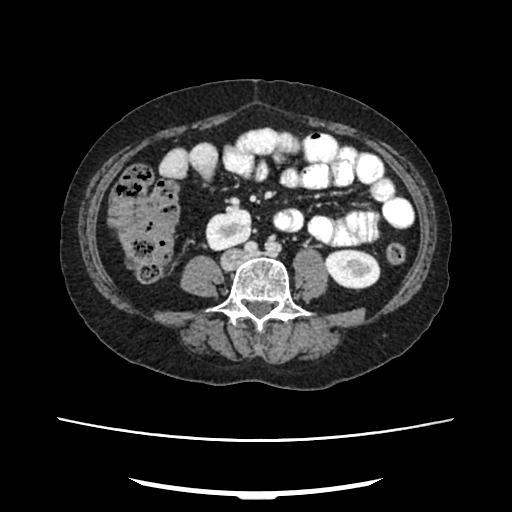
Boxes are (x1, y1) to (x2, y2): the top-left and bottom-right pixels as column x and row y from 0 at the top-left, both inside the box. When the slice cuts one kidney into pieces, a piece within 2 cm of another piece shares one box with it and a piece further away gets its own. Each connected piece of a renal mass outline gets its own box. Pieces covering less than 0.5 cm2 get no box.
This is axial slice 105 of 207 (slice 1 is the lowest) of an arterial-phase abdominal CT with contrast; each pixel is 0.741 mm and the slice is 2.00 mm thick. Two kidney boxes on this slice; by box centre, from the image's left to its right: (1) Right kidney, box (205, 209) to (251, 250) (outlined area 1,528 px, about 8.4 cm2). (2) Left kidney, box (324, 249) to (380, 289) (outlined area 1,804 px, about 9.9 cm2). No renal mass outline on this slice.
Scan settings: 120 kVp, FC18 reconstruction kernel.